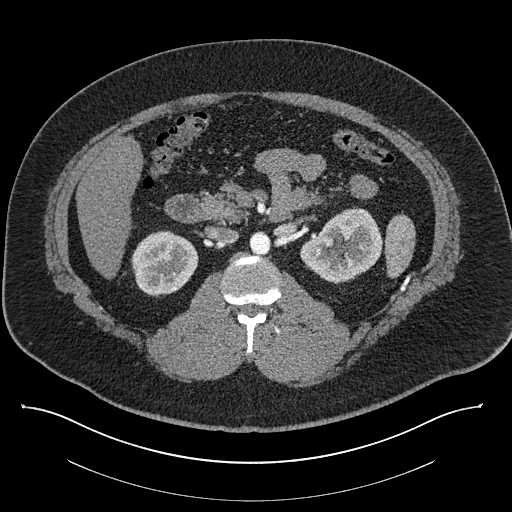
Axial slice 506 of 787 of a contrast-enhanced abdominal CT (slice 1 is the lowest), 140 kVp, kernel I30f; 1.00 mm slice thickness and 0.910 mm pixels.
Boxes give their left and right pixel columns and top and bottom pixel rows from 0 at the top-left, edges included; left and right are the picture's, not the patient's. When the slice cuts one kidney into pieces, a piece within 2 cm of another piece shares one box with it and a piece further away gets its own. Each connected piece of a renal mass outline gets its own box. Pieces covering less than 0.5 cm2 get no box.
Boxed on this slice (two kidney boxes), listed by box centre from the image's left to its right: (1) Right kidney, the box with left 130, top 230, right 198, bottom 297 (outlined area 3,387 px, about 28.1 cm2). (2) Box with left 300, top 207, right 382, bottom 283: left kidney (outlined area 4,357 px, about 36.1 cm2). No renal mass is outlined on this slice.